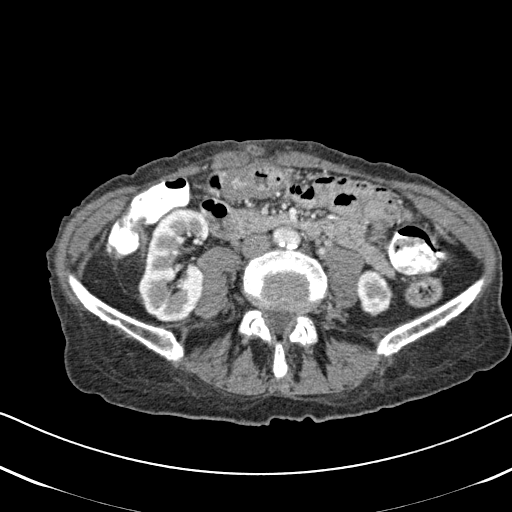
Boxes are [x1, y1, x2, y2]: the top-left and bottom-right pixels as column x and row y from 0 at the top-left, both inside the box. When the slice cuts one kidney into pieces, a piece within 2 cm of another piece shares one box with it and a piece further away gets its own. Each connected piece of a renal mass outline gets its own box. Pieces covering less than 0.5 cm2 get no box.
Arterial-phase contrast-enhanced abdominal CT, axial slice 242 of 620 (counted from the lowest slice); 2.00 mm thick, 0.637 mm per pixel. Two kidney boxes on this slice; by box centre, from the image's left to its right: (1) Right kidney, box [137, 208, 210, 323] (outlined area 6,215 px, about 25.2 cm2). (2) Left kidney at [357, 269, 393, 316] (outlined area 1,306 px, about 5.3 cm2). No renal mass outline on this slice.
Scan settings: 120 kVp, B31f reconstruction kernel.